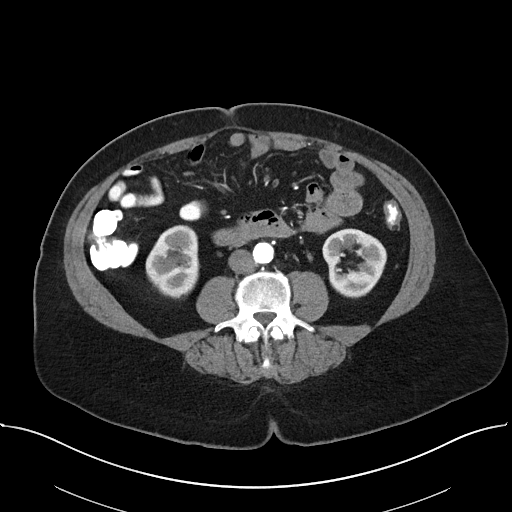
Arterial-phase contrast-enhanced abdominal CT, axial slice 10 of 38 (counted from the lowest slice); tube voltage 100 kVp, convolution kernel I40f; slices 5.00 mm thick, 0.822 mm per pixel.
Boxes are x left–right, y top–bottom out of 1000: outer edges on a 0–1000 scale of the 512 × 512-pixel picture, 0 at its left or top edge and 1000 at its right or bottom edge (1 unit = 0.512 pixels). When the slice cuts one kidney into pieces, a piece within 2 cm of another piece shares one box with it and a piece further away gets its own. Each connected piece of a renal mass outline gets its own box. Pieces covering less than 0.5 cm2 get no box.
Two kidney boxes on this slice; by box centre, from the image's left to its right: (1) Right kidney, box x 283–391, y 439–584 out of 1000 (outlined area 3,089 px, about 20.9 cm2). (2) Left kidney at x 629–756, y 445–582 out of 1000 (outlined area 3,157 px, about 21.3 cm2). No renal mass outline on this slice.